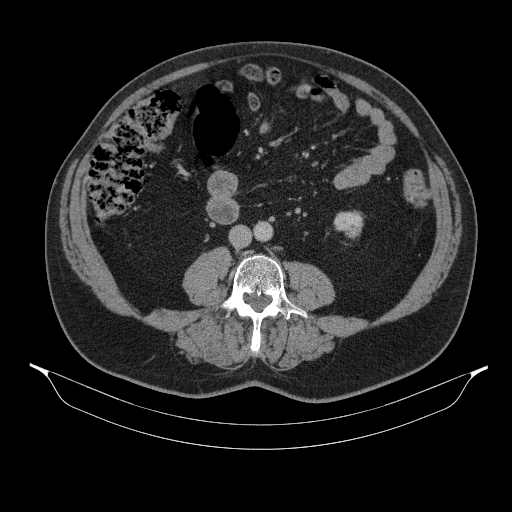
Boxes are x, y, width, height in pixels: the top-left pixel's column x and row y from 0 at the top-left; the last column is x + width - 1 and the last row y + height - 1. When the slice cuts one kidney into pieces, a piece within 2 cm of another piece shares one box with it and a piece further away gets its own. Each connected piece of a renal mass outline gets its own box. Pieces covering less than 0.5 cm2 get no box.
Slice 161/314 of a contrast-enhanced abdominal CT, counting up from the lowest; pixel size 0.934 mm, slice thickness 2.50 mm. Left kidney, box x 333, y 210, width 31, height 30 (outlined area 670 px, about 5.8 cm2). This slice carries no renal mass outline.
Acquired at 130 kVp and reconstructed with the B31s kernel.